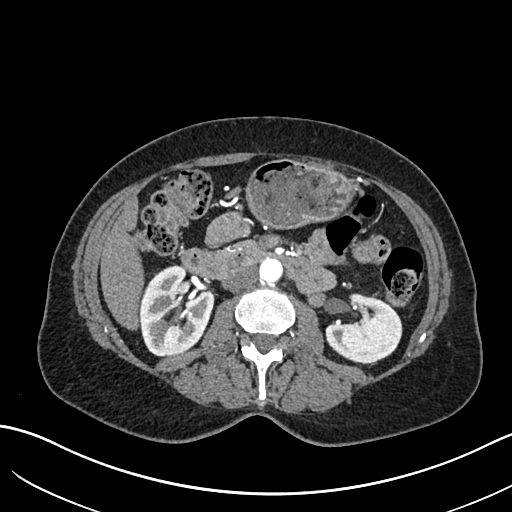
Arterial-phase contrast-enhanced abdominal CT, axial slice 360 of 683 (counted from the lowest slice); tube voltage 120 kVp, convolution kernel I30f; slices 1.00 mm thick, 0.738 mm per pixel.
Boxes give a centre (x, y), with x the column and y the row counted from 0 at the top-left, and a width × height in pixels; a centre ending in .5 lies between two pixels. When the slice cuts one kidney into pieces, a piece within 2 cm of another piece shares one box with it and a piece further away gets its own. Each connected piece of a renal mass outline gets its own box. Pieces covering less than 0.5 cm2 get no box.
Boxed on this slice (two kidney boxes), listed by box centre from the image's left to its right: (1) Right kidney in a box with centre (176.5, 310), 76 × 91 pixels (outlined area 5,102 px, about 27.8 cm2). (2) Box centre (363.5, 326.5), 78 × 70 pixels: left kidney (outlined area 3,680 px, about 20.1 cm2). No renal mass is outlined on this slice.